Contrast-enhanced abdominal CT, axial slice 158 of 314 (counted from the lowest slice); tube voltage 130 kVp, convolution kernel B31s; slices 2.50 mm thick, 0.934 mm per pixel.
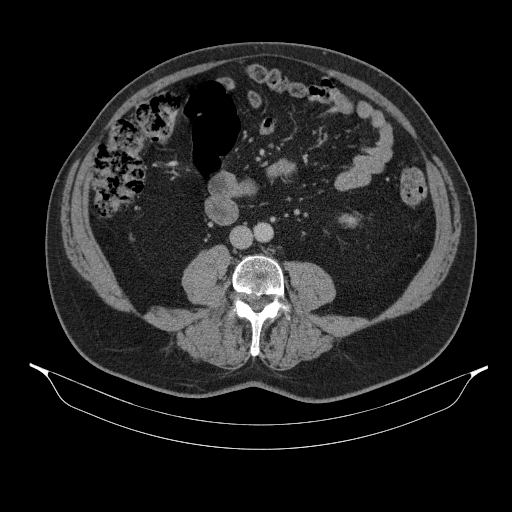
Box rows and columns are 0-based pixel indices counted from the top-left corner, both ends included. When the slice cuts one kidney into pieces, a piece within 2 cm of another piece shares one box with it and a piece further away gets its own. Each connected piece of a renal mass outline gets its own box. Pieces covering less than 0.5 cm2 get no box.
Left kidney at rows 213–227, columns 338–359 (outlined area 207 px, about 1.8 cm2). This slice carries no renal mass outline.